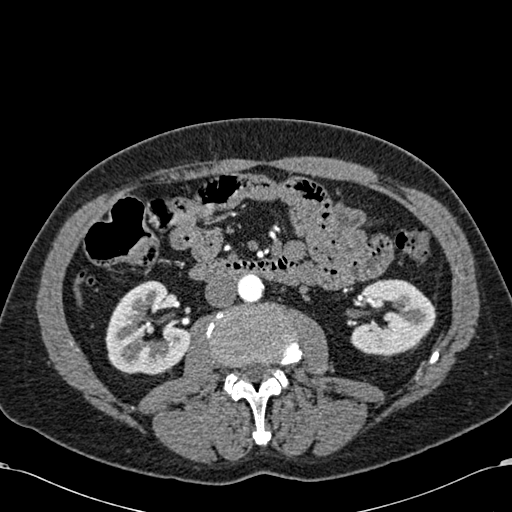
Abdominal CT with intravenous contrast, arterial phase, axial plane, 120 kVp, kernel B30f. Slice 308/581 from the bottom of the scan; thickness 1.00 mm; pixel size 0.713 mm.
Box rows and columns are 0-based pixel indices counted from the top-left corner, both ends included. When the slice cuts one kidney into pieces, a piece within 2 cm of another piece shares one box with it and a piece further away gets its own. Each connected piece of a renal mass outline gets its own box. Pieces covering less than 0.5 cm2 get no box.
Two boxes on this slice (two kidney boxes), listed by box centre from the image's left to its right. (1) Right kidney at rows 280–374, columns 105–189 (outlined area 5,656 px, about 28.7 cm2). (2) Left kidney, box rows 279–357, columns 350–436 (outlined area 4,793 px, about 24.4 cm2). No renal mass is outlined on this slice.